Arterial-phase contrast-enhanced abdominal CT, axial slice 38 of 106 (counted from the lowest slice); tube voltage 120 kVp, convolution kernel STANDARD; slices 2.50 mm thick, 0.742 mm per pixel.
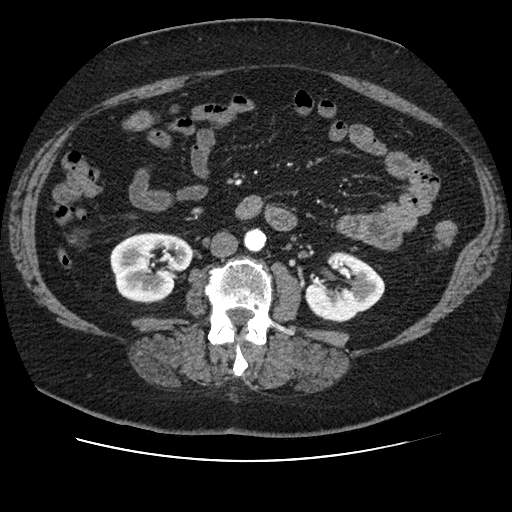
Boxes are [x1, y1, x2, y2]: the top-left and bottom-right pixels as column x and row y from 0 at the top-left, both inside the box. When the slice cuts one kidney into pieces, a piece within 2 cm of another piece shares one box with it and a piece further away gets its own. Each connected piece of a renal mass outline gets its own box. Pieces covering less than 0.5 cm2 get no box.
Boxed on this slice (two kidney boxes), listed by box centre from the image's left to its right: (1) Right kidney at [110, 232, 192, 303] (outlined area 4,430 px, about 24.4 cm2). (2) Left kidney at [305, 252, 384, 322] (outlined area 3,745 px, about 20.6 cm2). This slice carries no renal mass outline.